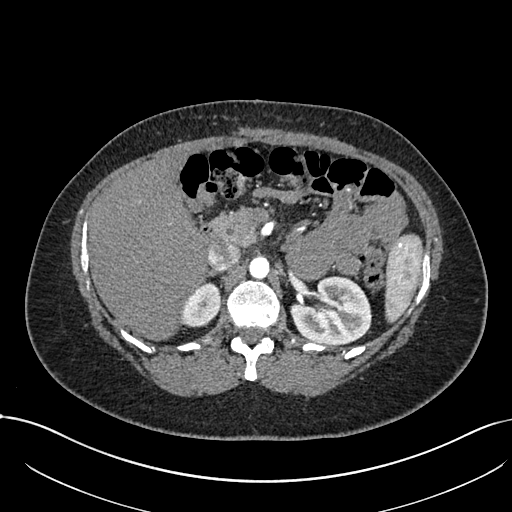
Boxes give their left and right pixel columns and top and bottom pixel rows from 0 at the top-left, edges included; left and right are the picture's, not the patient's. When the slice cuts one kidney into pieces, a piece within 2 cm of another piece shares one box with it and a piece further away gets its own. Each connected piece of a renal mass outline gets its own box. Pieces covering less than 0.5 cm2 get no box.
Slice 483/738 of a contrast-enhanced abdominal CT in the arterial phase, counting up from the lowest; pixel size 0.789 mm, slice thickness 1.00 mm. Two boxes on this slice (two kidney boxes), listed by box centre from the image's left to its right. (1) Right kidney, the box with left 181, top 282, right 220, bottom 327 (outlined area 1,375 px, about 8.6 cm2). (2) Box with left 290, top 276, right 372, bottom 344: left kidney (outlined area 4,255 px, about 26.5 cm2). No renal mass outline on this slice.
Tube voltage 120 kVp; convolution kernel I30f.